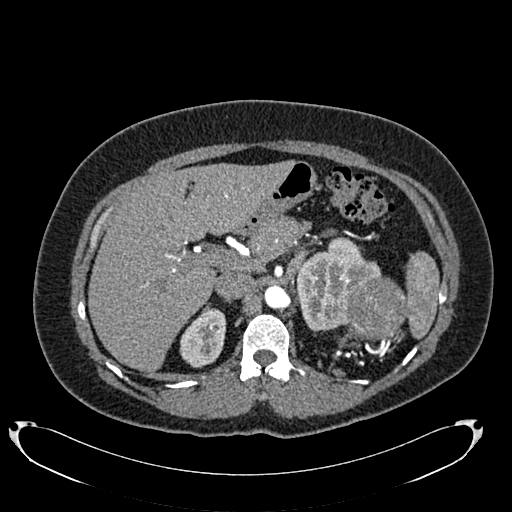
Axial slice 512 of 634 of a contrast-enhanced abdominal CT in the arterial phase (slice 1 is the lowest), 120 kVp, kernel B20f; 1.00 mm slice thickness and 0.838 mm pixels.
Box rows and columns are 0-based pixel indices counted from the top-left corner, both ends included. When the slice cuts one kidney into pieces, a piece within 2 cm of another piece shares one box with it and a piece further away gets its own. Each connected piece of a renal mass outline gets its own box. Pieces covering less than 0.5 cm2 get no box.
Two kidney boxes and one renal mass box on this slice; by box centre, from the image's left to its right: (1) Right kidney at rows 308–367, columns 179–226 (outlined area 2,053 px, about 14.4 cm2). (2) Left kidney, box rows 237–330, columns 296–381 (outlined area 4,682 px, about 32.9 cm2). (3) Left renal mass, box rows 275–339, columns 344–407 (outlined area 3,201 px, about 22.5 cm2).